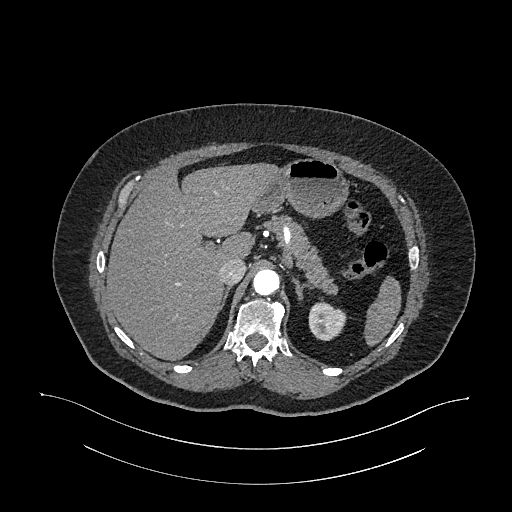
Abdominal CT with intravenous contrast, arterial phase, axial plane, 120 kVp, kernel I26f. Slice 787/987 from the bottom of the scan; thickness 1.00 mm; pixel size 0.977 mm.
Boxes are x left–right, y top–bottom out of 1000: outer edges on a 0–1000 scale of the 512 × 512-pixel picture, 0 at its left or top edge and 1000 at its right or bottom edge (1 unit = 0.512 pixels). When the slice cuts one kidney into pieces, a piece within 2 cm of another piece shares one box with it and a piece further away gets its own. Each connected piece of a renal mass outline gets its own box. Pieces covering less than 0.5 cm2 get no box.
Box x 602–678, y 588–666 out of 1000: left kidney (outlined area 1,138 px, about 10.9 cm2). No renal mass is outlined on this slice.